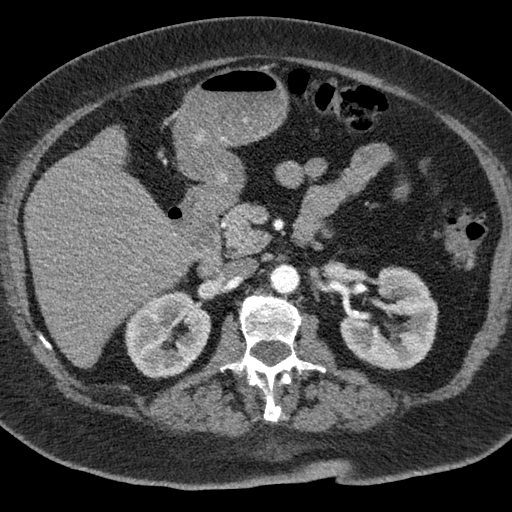
One axial slice (39 of 76, counting up from the lowest) of a contrast-enhanced abdominal CT acquired with 120 kVp, kernel B; each pixel is 0.684 mm and the slice is 3.00 mm thick.
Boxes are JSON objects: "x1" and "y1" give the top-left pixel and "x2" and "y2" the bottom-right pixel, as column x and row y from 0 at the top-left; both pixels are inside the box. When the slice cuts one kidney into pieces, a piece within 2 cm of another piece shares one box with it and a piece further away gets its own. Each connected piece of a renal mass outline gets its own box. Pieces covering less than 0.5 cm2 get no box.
Two boxes on this slice (two kidney boxes), listed by box centre from the image's left to its right. (1) Right kidney, box {"x1": 124, "y1": 290, "x2": 211, "y2": 378} (outlined area 5,646 px, about 26.4 cm2). (2) Box {"x1": 340, "y1": 266, "x2": 438, "y2": 370}: left kidney (outlined area 6,803 px, about 31.8 cm2). No renal mass outline on this slice.